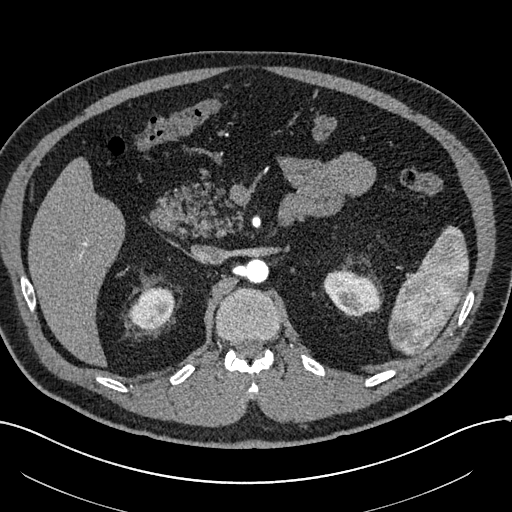
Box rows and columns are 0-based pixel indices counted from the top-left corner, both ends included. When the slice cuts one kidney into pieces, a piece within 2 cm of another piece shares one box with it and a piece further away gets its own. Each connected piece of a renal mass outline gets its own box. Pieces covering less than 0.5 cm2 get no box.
This is axial slice 405 of 602 (slice 1 is the lowest) of an arterial-phase abdominal CT with contrast; each pixel is 0.799 mm and the slice is 1.00 mm thick. Two boxes on this slice (two kidney boxes), listed by box centre from the image's left to its right. (1) Right kidney at rows 287–330, columns 129–174 (outlined area 1,501 px, about 9.6 cm2). (2) Box rows 270–316, columns 323–379: left kidney (outlined area 1,925 px, about 12.3 cm2). No renal mass outline on this slice.
Scan settings: 120 kVp, I30f reconstruction kernel.